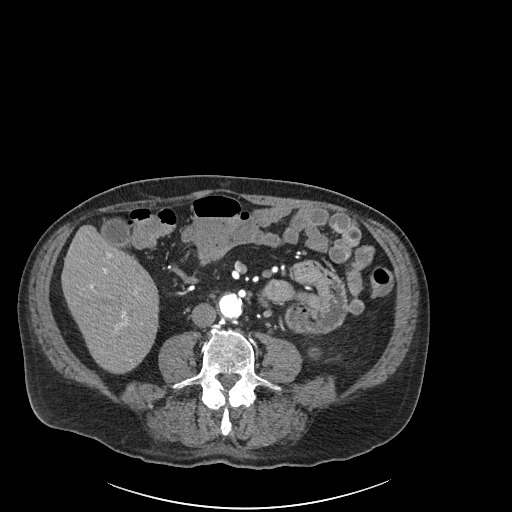
Arterial-phase contrast-enhanced abdominal CT, axial slice 58 of 261 (counted from the lowest slice); tube voltage 120 kVp, convolution kernel I30f; slices 2.00 mm thick, 0.939 mm per pixel.
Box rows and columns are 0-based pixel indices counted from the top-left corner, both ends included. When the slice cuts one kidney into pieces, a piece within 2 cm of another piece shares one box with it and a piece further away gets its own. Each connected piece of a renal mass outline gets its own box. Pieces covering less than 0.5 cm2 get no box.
Box rows 347–358, columns 308–320: left kidney (outlined area 121 px, about 1.1 cm2). This slice carries no renal mass outline.